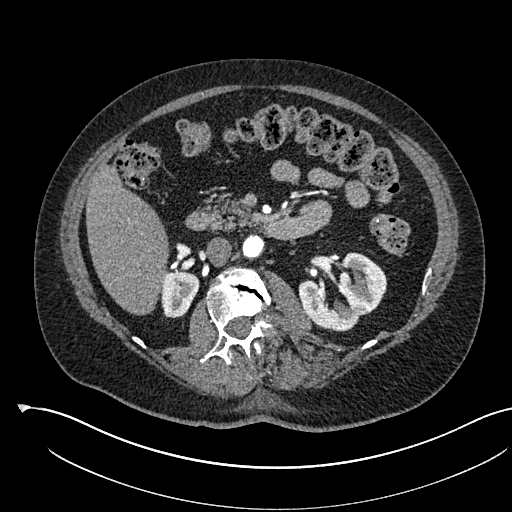
One axial slice (324 of 541, counting up from the lowest) of an arterial-phase abdominal CT acquired with 120 kVp, kernel I30f; each pixel is 0.834 mm and the slice is 1.00 mm thick.
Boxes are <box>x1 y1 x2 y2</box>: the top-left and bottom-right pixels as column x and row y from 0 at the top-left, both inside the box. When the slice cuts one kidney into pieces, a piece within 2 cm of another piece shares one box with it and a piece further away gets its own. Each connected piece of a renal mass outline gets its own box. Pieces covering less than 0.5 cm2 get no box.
Two boxes on this slice (two kidney boxes), listed by box centre from the image's left to its right. (1) At <box>161 269 199 317</box>: right kidney (outlined area 1,479 px, about 10.3 cm2). (2) Left kidney at <box>298 252 386 331</box> (outlined area 4,487 px, about 31.2 cm2). No renal mass outline on this slice.